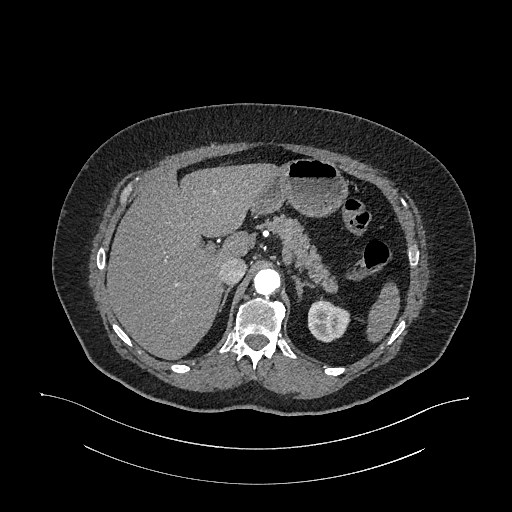
Abdominal CT with intravenous contrast, arterial phase, axial plane, 120 kVp, kernel I26f. Slice 783/987 from the bottom of the scan; thickness 1.00 mm; pixel size 0.977 mm.
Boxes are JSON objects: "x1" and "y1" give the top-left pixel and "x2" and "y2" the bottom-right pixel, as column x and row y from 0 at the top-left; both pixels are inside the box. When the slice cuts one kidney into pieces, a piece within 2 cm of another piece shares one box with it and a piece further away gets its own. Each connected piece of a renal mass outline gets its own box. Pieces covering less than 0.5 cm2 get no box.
Left kidney at {"x1": 307, "y1": 299, "x2": 350, "y2": 342} (outlined area 1,388 px, about 13.2 cm2). No renal mass outline on this slice.